Arterial-phase contrast-enhanced abdominal CT, axial slice 287 of 620 (counted from the lowest slice); tube voltage 120 kVp, convolution kernel B31f; slices 2.00 mm thick, 0.637 mm per pixel.
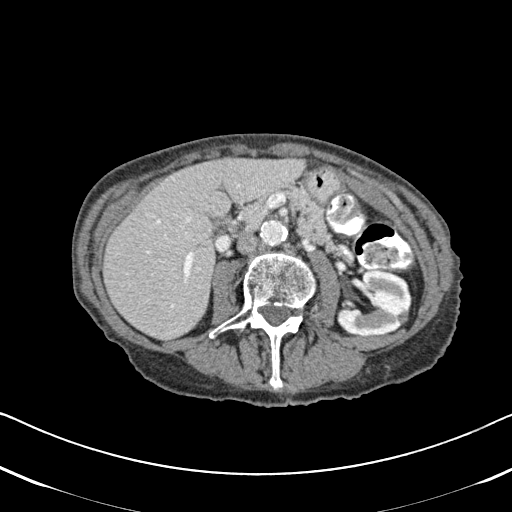
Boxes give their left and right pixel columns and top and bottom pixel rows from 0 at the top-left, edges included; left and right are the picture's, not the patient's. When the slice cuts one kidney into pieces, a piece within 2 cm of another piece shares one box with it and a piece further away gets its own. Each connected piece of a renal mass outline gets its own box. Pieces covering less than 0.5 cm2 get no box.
Box with left 337, top 270, right 411, bottom 336: left kidney (outlined area 3,618 px, about 14.7 cm2). No renal mass outline on this slice.